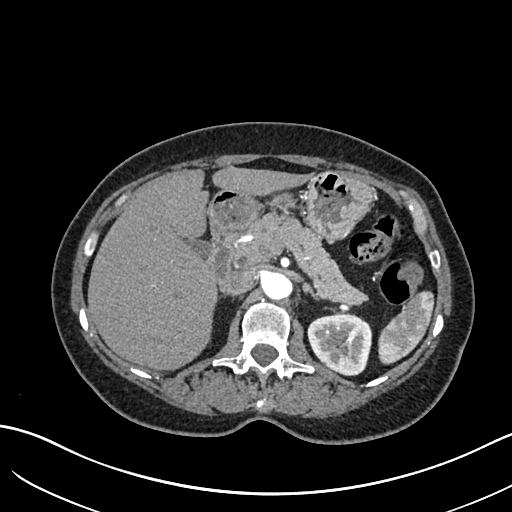
Arterial-phase contrast-enhanced abdominal CT, axial slice 438 of 683 (counted from the lowest slice); tube voltage 120 kVp, convolution kernel I30f; slices 1.00 mm thick, 0.738 mm per pixel.
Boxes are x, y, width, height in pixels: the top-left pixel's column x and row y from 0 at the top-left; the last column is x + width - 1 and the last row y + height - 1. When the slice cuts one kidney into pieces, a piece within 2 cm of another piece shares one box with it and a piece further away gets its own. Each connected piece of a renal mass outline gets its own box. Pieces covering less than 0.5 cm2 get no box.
Left kidney, box x 307, y 313, width 66, height 63 (outlined area 3,147 px, about 17.2 cm2). No renal mass is outlined on this slice.